One axial slice (29 of 285, counting up from the lowest) of an arterial-phase abdominal CT acquired with 120 kVp, kernel B31f; each pixel is 0.762 mm and the slice is 2.00 mm thick.
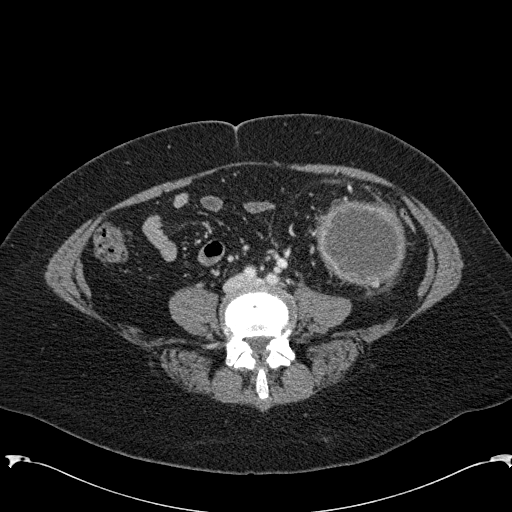
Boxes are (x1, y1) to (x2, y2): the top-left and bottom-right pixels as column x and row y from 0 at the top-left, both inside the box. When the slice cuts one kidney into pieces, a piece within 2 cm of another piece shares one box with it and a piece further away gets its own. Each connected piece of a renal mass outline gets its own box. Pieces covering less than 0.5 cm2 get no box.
Box (315, 200) to (406, 285): left renal mass (outlined area 6,327 px, about 36.7 cm2); this slice has no kidney outline, though on another slice the same outlined renal mass lies within 1 cm of the kidney.